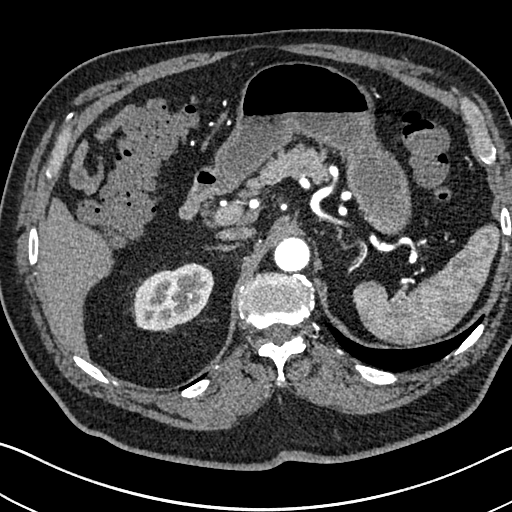
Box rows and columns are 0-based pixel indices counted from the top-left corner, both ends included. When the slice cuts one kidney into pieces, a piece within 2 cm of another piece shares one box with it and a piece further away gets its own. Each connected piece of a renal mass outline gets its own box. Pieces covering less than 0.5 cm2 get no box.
This is axial slice 527 of 705 (slice 1 is the lowest) of an arterial-phase abdominal CT with contrast; each pixel is 0.703 mm and the slice is 1.00 mm thick. Right kidney, box rows 262–331, columns 134–213 (outlined area 4,075 px, about 20.1 cm2). This slice carries no renal mass outline.
Scan settings: 120 kVp, I30f reconstruction kernel.